Abdominal CT with intravenous contrast, arterial phase, axial plane, 120 kVp, kernel B31f. Slice 77/285 from the bottom of the scan; thickness 2.00 mm; pixel size 0.762 mm.
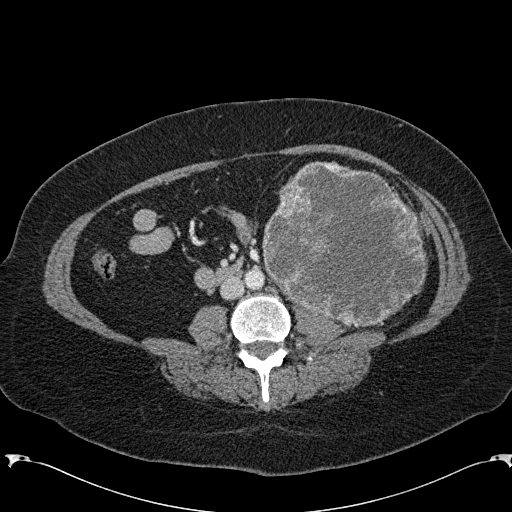
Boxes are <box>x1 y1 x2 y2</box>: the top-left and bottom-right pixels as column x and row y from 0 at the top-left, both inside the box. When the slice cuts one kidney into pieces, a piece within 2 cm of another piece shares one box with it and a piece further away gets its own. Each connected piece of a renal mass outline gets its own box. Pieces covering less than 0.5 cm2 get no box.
At <box>262 161 427 327</box>: left renal mass (outlined area 20,643 px, about 119.8 cm2); this slice has no kidney outline, though on another slice the same outlined renal mass lies within 1 cm of the kidney.